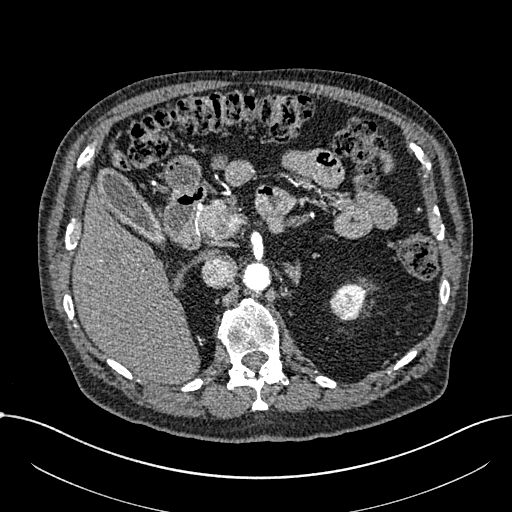
Axial slice 461 of 1059 of a contrast-enhanced abdominal CT in the arterial phase (slice 1 is the lowest), 100 kVp, kernel I30f; 1.00 mm slice thickness and 0.811 mm pixels.
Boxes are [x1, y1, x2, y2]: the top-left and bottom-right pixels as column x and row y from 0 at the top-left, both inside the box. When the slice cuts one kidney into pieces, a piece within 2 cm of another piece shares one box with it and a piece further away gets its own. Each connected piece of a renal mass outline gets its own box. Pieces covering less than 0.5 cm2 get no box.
Left part of the midline-crossing kidney, box [329, 281, 366, 321] (outlined area 1,067 px, about 7.0 cm2). No renal mass outline on this slice.